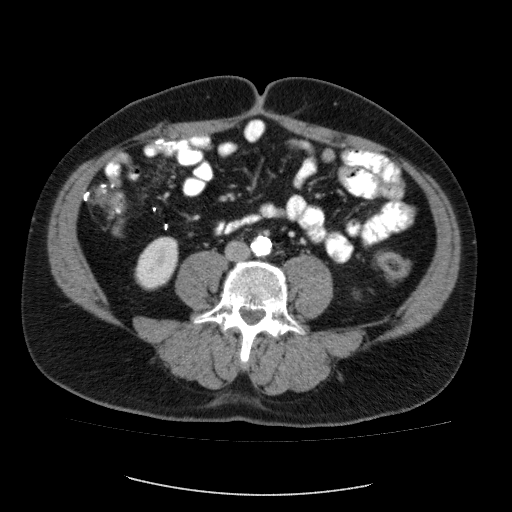
One axial slice (41 of 87, counting up from the lowest) of a contrast-enhanced abdominal CT acquired with 120 kVp, kernel FC12; each pixel is 0.812 mm and the slice is 5.00 mm thick.
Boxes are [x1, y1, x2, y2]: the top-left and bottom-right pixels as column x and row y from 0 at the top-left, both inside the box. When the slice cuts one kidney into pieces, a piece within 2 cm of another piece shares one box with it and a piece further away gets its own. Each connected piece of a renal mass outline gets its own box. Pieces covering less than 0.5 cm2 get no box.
Box [134, 236, 178, 290]: right kidney (outlined area 1,791 px, about 11.8 cm2). This slice carries no renal mass outline.